Axial slice 495 of 591 of a contrast-enhanced abdominal CT in the arterial phase (slice 1 is the lowest), 140 kVp, kernel I30f; 1.00 mm slice thickness and 0.703 mm pixels.
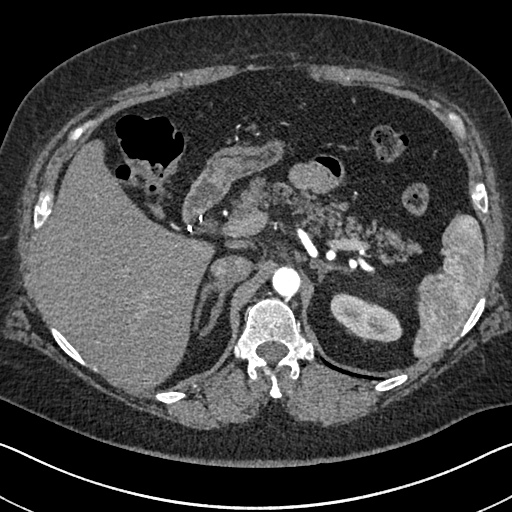
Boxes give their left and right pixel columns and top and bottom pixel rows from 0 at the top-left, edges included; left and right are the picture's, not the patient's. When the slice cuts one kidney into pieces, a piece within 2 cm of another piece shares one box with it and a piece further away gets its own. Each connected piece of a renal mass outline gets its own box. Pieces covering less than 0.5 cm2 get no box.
Box with left 330, top 292, right 402, bottom 342: left kidney (outlined area 2,399 px, about 11.9 cm2). This slice carries no renal mass outline.